Axial slice 354 of 602 of a contrast-enhanced abdominal CT in the arterial phase (slice 1 is the lowest), 120 kVp, kernel I30f; 1.00 mm slice thickness and 0.799 mm pixels.
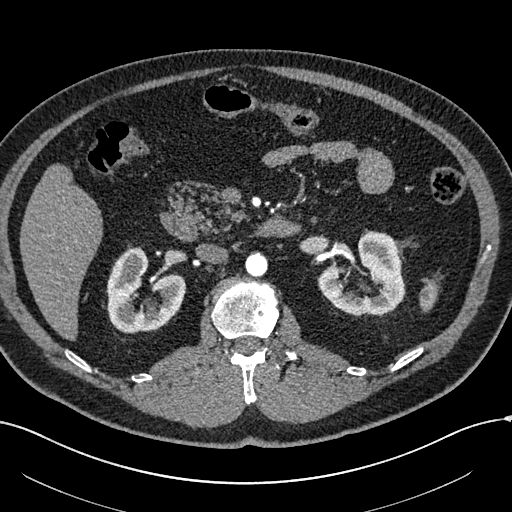
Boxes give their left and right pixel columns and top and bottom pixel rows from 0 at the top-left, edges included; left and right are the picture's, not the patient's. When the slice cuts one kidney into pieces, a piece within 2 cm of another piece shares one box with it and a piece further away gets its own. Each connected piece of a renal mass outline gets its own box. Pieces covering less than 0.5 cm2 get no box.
Boxed on this slice (two kidney boxes), listed by box centre from the image's left to its right: (1) Right kidney in the box with left 106, top 246, right 185, bottom 333 (outlined area 4,514 px, about 28.8 cm2). (2) Left kidney, the box with left 318, top 231, right 405, bottom 314 (outlined area 4,779 px, about 30.5 cm2).